Abdominal CT with intravenous contrast, arterial phase, axial plane, 100 kVp, kernel I30f. Slice 65/325 from the bottom of the scan; thickness 1.00 mm; pixel size 0.703 mm.
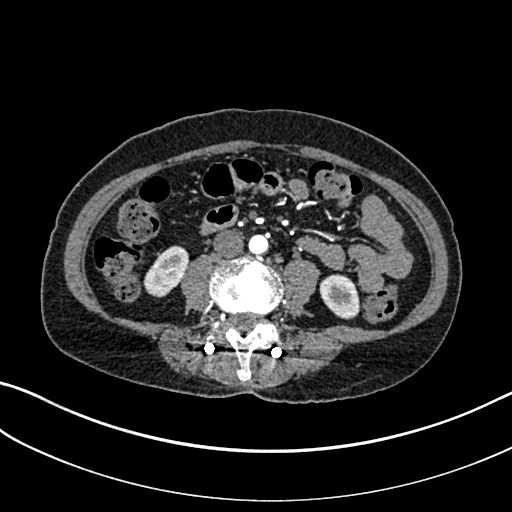
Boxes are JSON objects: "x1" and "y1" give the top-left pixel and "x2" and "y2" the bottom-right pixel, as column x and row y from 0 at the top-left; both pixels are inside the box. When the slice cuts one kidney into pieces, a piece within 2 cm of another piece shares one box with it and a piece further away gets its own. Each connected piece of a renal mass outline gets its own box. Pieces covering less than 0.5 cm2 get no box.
Boxed on this slice (two kidney boxes), listed by box centre from the image's left to its right: (1) Right kidney at {"x1": 143, "y1": 245, "x2": 189, "y2": 297} (outlined area 1,578 px, about 7.8 cm2). (2) Box {"x1": 319, "y1": 274, "x2": 359, "y2": 319}: left kidney (outlined area 1,390 px, about 6.9 cm2). This slice carries no renal mass outline.